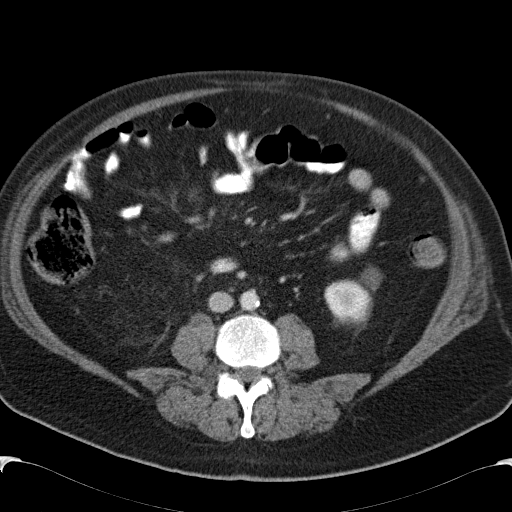
Contrast-enhanced abdominal CT, axial slice 59 of 99 (counted from the lowest slice); tube voltage 120 kVp, convolution kernel B31f; slices 5.00 mm thick, 0.742 mm per pixel.
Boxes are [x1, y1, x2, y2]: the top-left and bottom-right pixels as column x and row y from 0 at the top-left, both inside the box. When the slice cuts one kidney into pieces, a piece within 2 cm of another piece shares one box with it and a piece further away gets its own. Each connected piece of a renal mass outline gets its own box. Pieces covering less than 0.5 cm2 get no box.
Box [324, 267, 381, 327]: left kidney (outlined area 2,081 px, about 11.5 cm2). No renal mass is outlined on this slice.